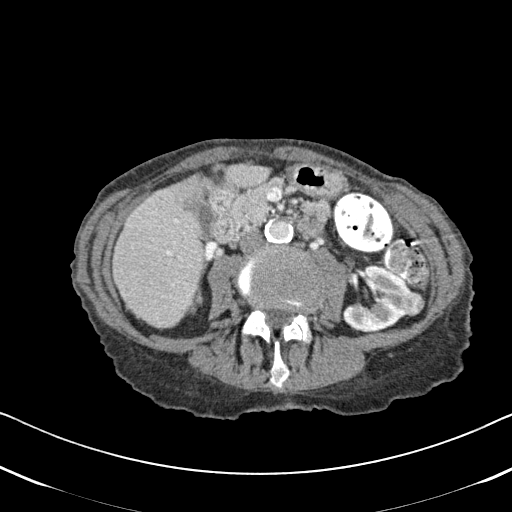
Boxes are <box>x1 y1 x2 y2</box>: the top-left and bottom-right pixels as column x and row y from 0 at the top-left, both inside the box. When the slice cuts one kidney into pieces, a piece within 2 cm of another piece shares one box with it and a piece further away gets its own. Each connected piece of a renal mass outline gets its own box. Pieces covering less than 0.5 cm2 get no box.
Slice 272/620 of a contrast-enhanced abdominal CT in the arterial phase, counting up from the lowest; pixel size 0.637 mm, slice thickness 2.00 mm. Boxed on this slice (one kidney box and one renal mass box), listed by box centre from the image's left to its right: (1) At <box>341 263 410 333</box>: left kidney (outlined area 3,091 px, about 12.5 cm2). (2) At <box>403 291 425 316</box>: left renal mass (outlined area 427 px, about 1.7 cm2).
Tube voltage 120 kVp; convolution kernel B31f.